Abdominal CT with intravenous contrast, arterial phase, axial plane, 120 kVp, kernel I30f. Slice 315/735 from the bottom of the scan; thickness 1.00 mm; pixel size 0.789 mm.
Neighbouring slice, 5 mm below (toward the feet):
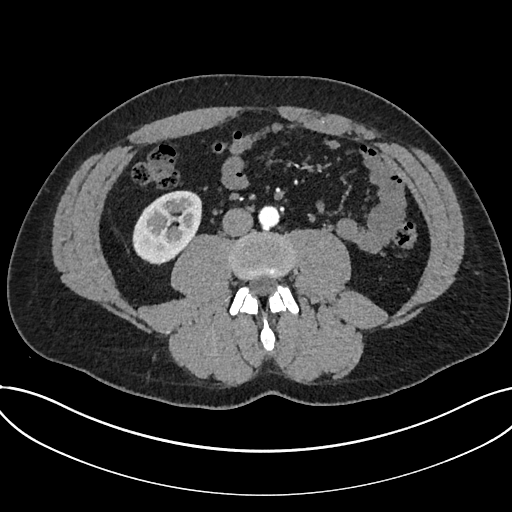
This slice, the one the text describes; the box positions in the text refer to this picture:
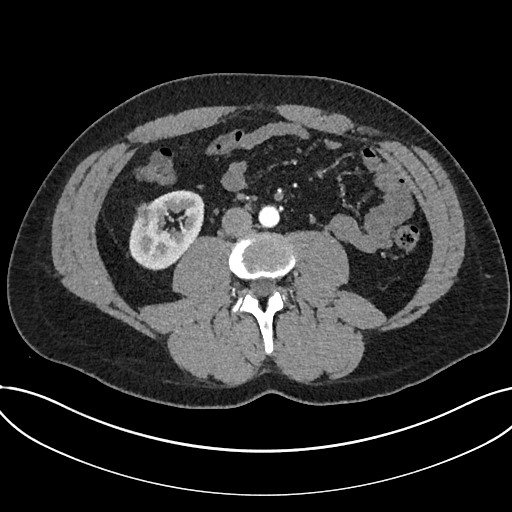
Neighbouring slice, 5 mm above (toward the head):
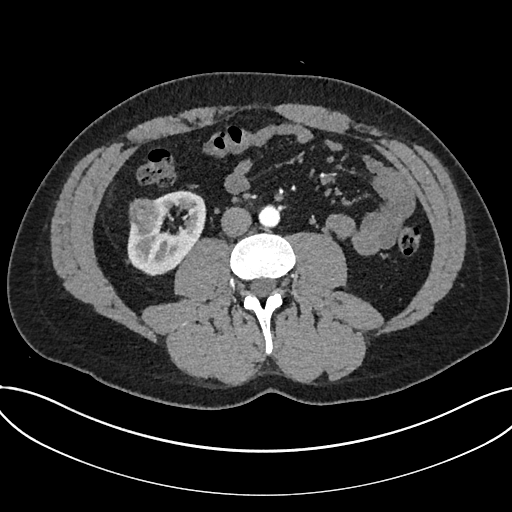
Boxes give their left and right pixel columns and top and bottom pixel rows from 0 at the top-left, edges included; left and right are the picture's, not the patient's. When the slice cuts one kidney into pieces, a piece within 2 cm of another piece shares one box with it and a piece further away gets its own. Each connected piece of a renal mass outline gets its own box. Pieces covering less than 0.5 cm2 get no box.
One kidney box and one renal mass box on this slice; by box centre, from the image's left to its right: (1) Renal mass, the box with left 136, top 201, right 158, bottom 221 (outlined area 372 px, about 2.3 cm2). (2) Kidney, the box with left 129, top 190, right 204, bottom 269 (outlined area 3,970 px, about 24.7 cm2). This slice is near the end of a renal mass toward the feet, so the slices 5 mm below and 5 mm above it are shown as well; the boxes refer to this slice only.